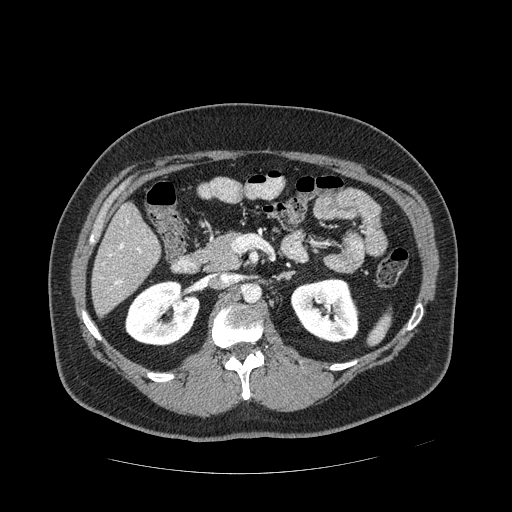
Axial slice 265 of 389 of a contrast-enhanced abdominal CT in the arterial phase (slice 1 is the lowest), 120 kVp, kernel STANDARD; 1.25 mm slice thickness and 0.869 mm pixels.
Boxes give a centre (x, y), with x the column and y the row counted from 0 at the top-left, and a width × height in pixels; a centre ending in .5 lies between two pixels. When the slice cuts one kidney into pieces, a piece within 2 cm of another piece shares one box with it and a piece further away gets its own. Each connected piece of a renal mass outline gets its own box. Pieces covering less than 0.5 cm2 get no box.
Two kidney boxes on this slice; by box centre, from the image's left to its right: (1) Right kidney in a box with centre (162, 313), 75 × 67 pixels (outlined area 3,738 px, about 28.2 cm2). (2) Left kidney, box centre (324.5, 310), 70 × 65 pixels (outlined area 3,426 px, about 25.9 cm2). No renal mass is outlined on this slice.